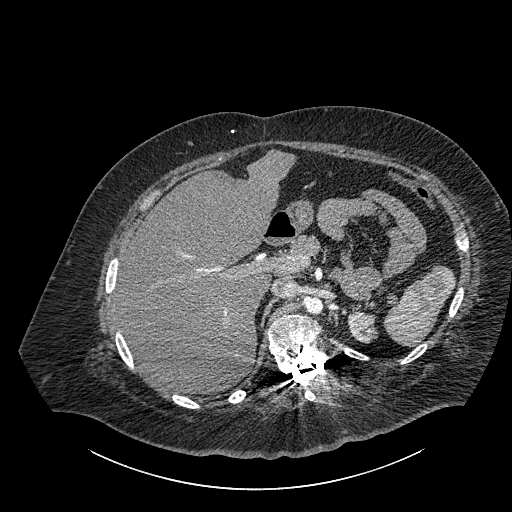
One axial slice (637 of 834, counting up from the lowest) of a contrast-enhanced abdominal CT acquired with 140 kVp, kernel I30f; each pixel is 0.977 mm and the slice is 1.00 mm thick.
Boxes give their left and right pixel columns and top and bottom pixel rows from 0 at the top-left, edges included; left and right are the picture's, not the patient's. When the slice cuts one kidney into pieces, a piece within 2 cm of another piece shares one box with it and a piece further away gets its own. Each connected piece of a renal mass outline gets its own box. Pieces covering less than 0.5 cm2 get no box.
Left part of the midline-crossing kidney, the box with left 347, top 310, right 378, bottom 343 (outlined area 774 px, about 7.4 cm2). No renal mass is outlined on this slice.